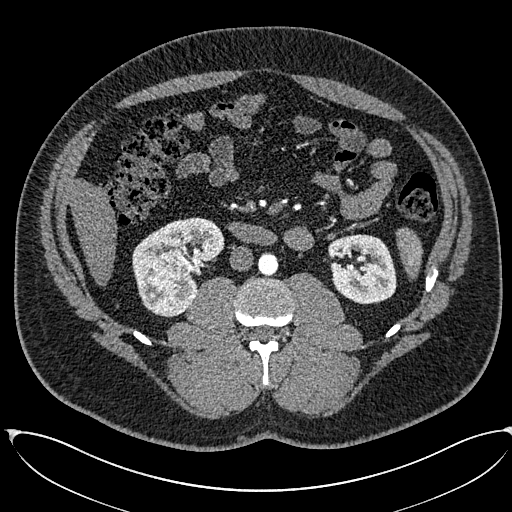
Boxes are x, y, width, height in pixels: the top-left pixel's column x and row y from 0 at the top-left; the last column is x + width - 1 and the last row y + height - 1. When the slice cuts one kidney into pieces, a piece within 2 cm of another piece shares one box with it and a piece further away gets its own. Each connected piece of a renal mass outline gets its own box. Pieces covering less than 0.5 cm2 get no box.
Arterial-phase contrast-enhanced abdominal CT, axial slice 304 of 673 (counted from the lowest slice); 1.00 mm thick, 0.855 mm per pixel. Two kidney boxes and one renal mass box on this slice; by box centre, from the image's left to its right: (1) Box x 143, y 249, width 48, height 66: right renal mass (outlined area 2,541 px, about 18.6 cm2). (2) Right kidney at x 132, y 217, width 93, height 101 (outlined area 3,818 px, about 27.9 cm2). (3) Box x 327, y 234, width 70, height 71: left kidney (outlined area 3,809 px, about 27.9 cm2).
Tube voltage 120 kVp; convolution kernel I30f.